Axial slice 475 of 673 of a contrast-enhanced abdominal CT in the arterial phase (slice 1 is the lowest), 140 kVp, kernel I30f; 1.00 mm slice thickness and 0.957 mm pixels.
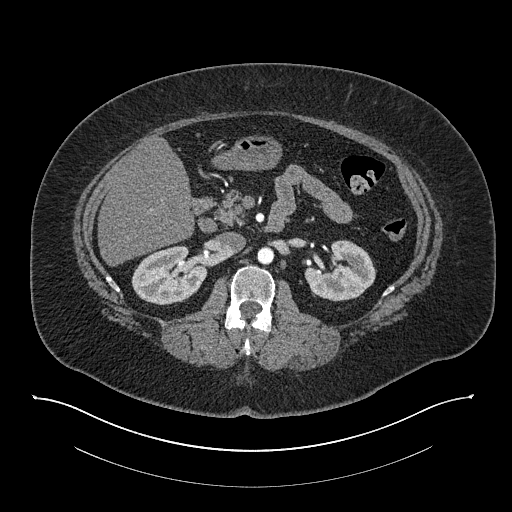
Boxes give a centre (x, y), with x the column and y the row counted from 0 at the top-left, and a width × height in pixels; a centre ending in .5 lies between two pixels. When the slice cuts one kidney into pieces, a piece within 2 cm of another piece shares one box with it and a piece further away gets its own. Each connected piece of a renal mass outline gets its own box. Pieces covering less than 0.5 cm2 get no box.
Boxed on this slice (two kidney boxes), listed by box centre from the image's left to its right: (1) Right kidney in a box with centre (169, 275.5), 77 × 60 pixels (outlined area 3,300 px, about 30.2 cm2). (2) Left kidney, box centre (340, 270.5), 73 × 62 pixels (outlined area 3,094 px, about 28.3 cm2). No renal mass is outlined on this slice.